Abdominal CT with intravenous contrast, arterial phase, axial plane, 120 kVp, kernel I30f. Slice 194/261 from the bottom of the scan; thickness 2.00 mm; pixel size 0.939 mm.
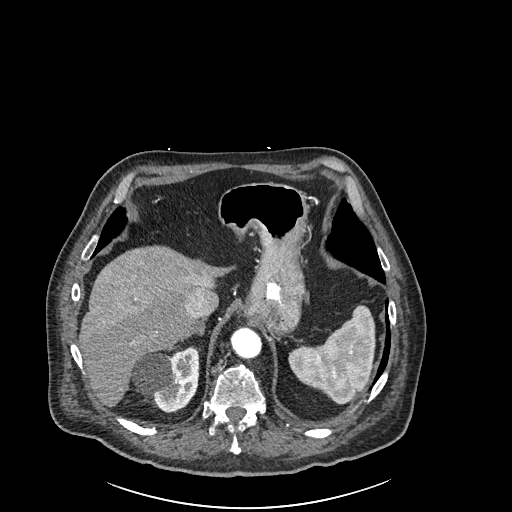
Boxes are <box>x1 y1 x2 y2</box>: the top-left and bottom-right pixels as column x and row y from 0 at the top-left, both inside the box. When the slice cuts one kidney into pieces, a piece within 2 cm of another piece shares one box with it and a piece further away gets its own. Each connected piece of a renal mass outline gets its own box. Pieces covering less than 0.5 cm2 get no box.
At <box>131 346 198 412</box>: right kidney (outlined area 3,195 px, about 28.2 cm2). No renal mass outline on this slice.